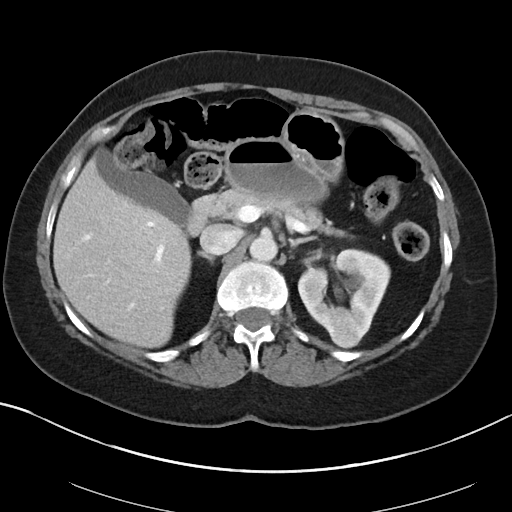
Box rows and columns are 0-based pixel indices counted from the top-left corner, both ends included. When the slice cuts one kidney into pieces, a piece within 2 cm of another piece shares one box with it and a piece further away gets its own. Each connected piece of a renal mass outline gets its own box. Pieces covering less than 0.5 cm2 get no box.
Slice 63/88 of a contrast-enhanced abdominal CT in the arterial phase, counting up from the lowest; pixel size 0.705 mm, slice thickness 5.00 mm. Boxed on this slice (one kidney box and one renal mass box), listed by box centre from the image's left to its right: (1) Box rows 248–336, columns 298–390: left kidney (outlined area 5,155 px, about 25.6 cm2). (2) Left renal mass at rows 317–346, columns 329–362 (outlined area 796 px, about 4.0 cm2).
Scan settings: 100 kVp, I40f reconstruction kernel.